Abdominal CT with intravenous contrast, arterial phase, axial plane, 100 kVp, kernel I31f. Slice 44/195 from the bottom of the scan; thickness 1.50 mm; pixel size 0.707 mm.
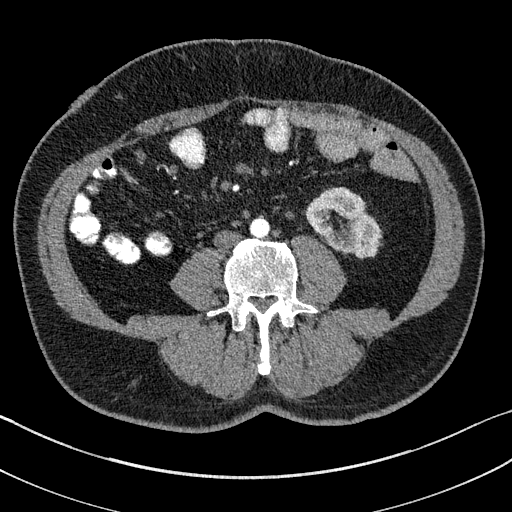
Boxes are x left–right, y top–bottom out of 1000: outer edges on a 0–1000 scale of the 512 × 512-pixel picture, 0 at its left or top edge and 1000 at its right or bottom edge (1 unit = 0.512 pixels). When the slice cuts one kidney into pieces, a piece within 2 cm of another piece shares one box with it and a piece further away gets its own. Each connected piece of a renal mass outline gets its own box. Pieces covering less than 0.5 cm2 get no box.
Left kidney, box x 596–746, y 365–504 out of 1000 (outlined area 3,423 px, about 17.1 cm2). This slice carries no renal mass outline.